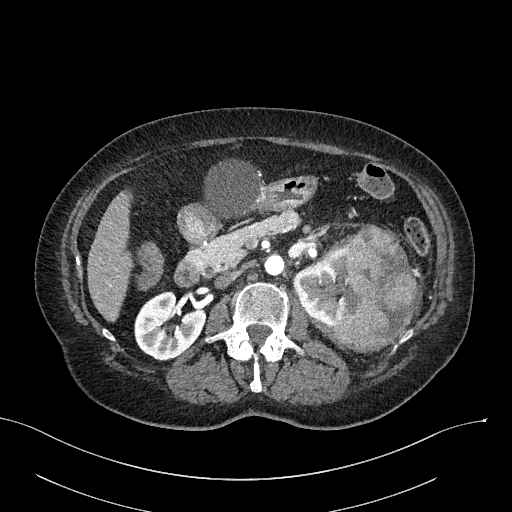
Axial slice 140 of 316 of a contrast-enhanced abdominal CT in the arterial phase (slice 1 is the lowest), 100 kVp, kernel I40f; 2.00 mm slice thickness and 0.840 mm pixels.
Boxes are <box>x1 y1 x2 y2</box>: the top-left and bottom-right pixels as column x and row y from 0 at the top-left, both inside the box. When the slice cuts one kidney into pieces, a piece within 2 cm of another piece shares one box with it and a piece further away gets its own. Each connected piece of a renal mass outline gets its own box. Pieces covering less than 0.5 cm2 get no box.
Two kidney boxes and one renal mass box on this slice; by box centre, from the image's left to its right: (1) At <box>134 291 206 360</box>: right kidney (outlined area 3,486 px, about 24.6 cm2). (2) At <box>293 244 353 326</box>: left kidney (outlined area 3,102 px, about 21.9 cm2). (3) Left renal mass: <box>329 224 417 352</box> (outlined area 7,564 px, about 53.4 cm2).